Arterial-phase contrast-enhanced abdominal CT, axial slice 573 of 987 (counted from the lowest slice); tube voltage 120 kVp, convolution kernel I26f; slices 1.00 mm thick, 0.977 mm per pixel.
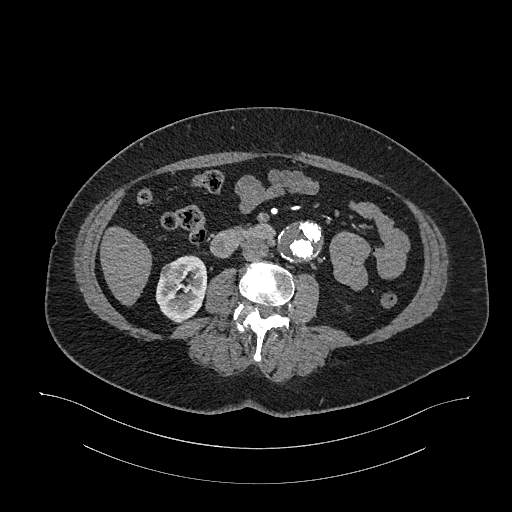
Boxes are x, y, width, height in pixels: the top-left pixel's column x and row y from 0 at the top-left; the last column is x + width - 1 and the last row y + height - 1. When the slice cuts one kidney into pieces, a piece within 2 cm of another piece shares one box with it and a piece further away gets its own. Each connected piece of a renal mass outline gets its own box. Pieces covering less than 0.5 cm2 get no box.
Two boxes on this slice (one kidney box and one renal mass box), listed by box centre from the image's left to its right. (1) Right renal mass, box x 159, y 261, width 27, height 22 (outlined area 431 px, about 4.1 cm2). (2) Box x 155, y 255, width 53, height 68: right kidney (outlined area 2,212 px, about 21.1 cm2).